Axial slice 214 of 325 of a contrast-enhanced abdominal CT in the arterial phase (slice 1 is the lowest), 100 kVp, kernel I30f; 1.00 mm slice thickness and 0.703 mm pixels.
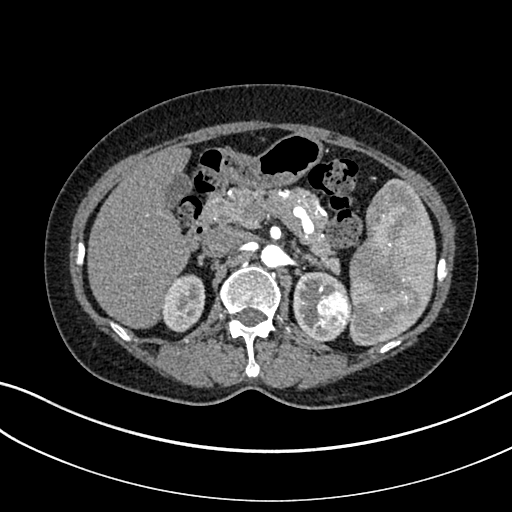
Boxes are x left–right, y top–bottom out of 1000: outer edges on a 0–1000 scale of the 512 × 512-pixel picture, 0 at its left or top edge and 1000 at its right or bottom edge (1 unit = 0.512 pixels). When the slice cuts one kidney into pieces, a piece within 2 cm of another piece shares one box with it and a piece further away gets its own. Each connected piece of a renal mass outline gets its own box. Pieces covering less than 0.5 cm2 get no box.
Three boxes on this slice (two kidney boxes and one renal mass box), listed by box centre from the image's left to its right. (1) Right kidney at x 313–402, y 535–650 out of 1000 (outlined area 1,960 px, about 9.7 cm2). (2) Left kidney, box x 572–689, y 529–670 out of 1000 (outlined area 2,251 px, about 11.1 cm2). (3) Left renal mass, box x 619–682, y 570–650 out of 1000 (outlined area 1,063 px, about 5.3 cm2).